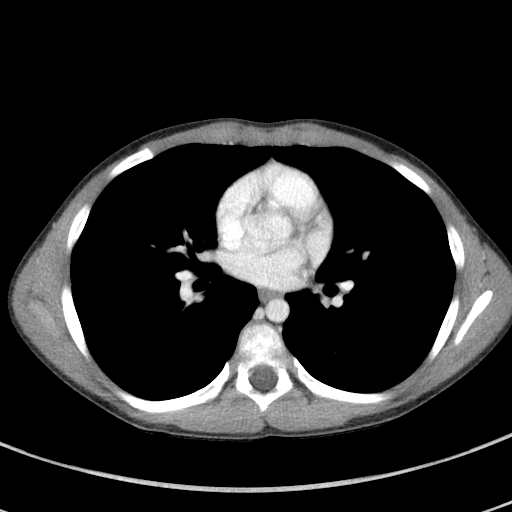
Arterial-phase contrast-enhanced abdominal CT, axial slice 71 of 94 (counted from the lowest slice); tube voltage 100 kVp, convolution kernel I41f; slices 5.00 mm thick, 0.551 mm per pixel.
No kidney and no renal mass is outlined on this slice; the outlines in this scan cover only the kidneys and the renal masses, so nothing is said about any other organ.